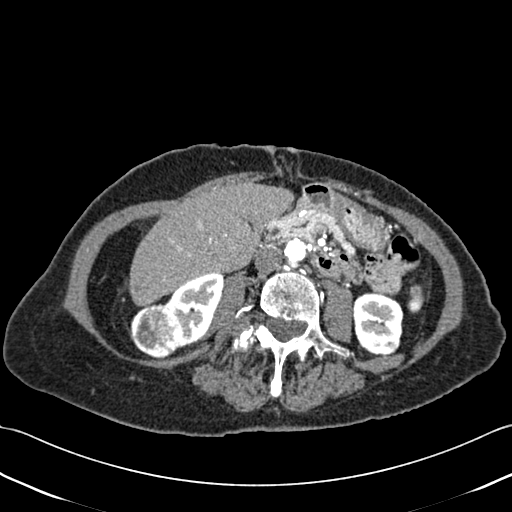
Abdominal CT with intravenous contrast, axial plane, 120 kVp, kernel B30f. Slice 194/433 from the bottom of the scan; thickness 1.00 mm; pixel size 0.672 mm.
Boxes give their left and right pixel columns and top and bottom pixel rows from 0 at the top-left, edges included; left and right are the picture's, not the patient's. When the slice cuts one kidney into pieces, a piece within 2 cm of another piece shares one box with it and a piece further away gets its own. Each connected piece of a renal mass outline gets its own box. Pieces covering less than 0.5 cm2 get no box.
Three boxes on this slice (two kidney boxes and one renal mass box), listed by box centre from the image's left to its right. (1) Right renal mass, the box with left 129, top 303, right 182, bottom 359 (outlined area 2,239 px, about 10.1 cm2). (2) Right kidney in the box with left 162, top 273, right 224, bottom 347 (outlined area 2,627 px, about 11.9 cm2). (3) Box with left 352, top 292, right 403, bottom 355: left kidney (outlined area 2,664 px, about 12.0 cm2).